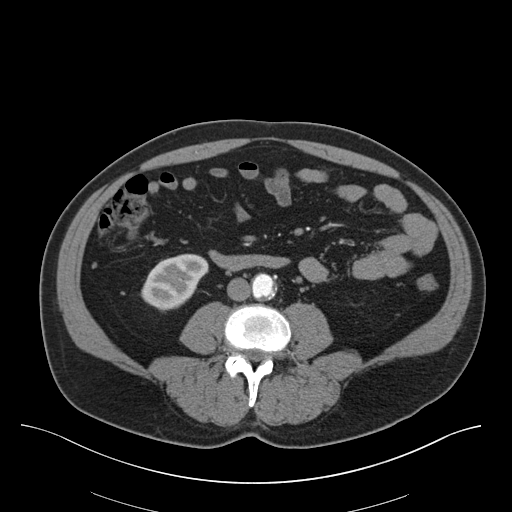
Contrast-enhanced abdominal CT, axial slice 13 of 75 (counted from the lowest slice); tube voltage 140 kVp, convolution kernel B30f; slices 3.00 mm thick, 0.875 mm per pixel.
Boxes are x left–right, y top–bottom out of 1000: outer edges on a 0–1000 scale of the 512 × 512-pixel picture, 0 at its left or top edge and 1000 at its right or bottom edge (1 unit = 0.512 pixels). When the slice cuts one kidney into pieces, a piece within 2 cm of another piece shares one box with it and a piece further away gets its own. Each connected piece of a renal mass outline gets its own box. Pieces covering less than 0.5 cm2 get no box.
Right kidney at x 275–408, y 494–609 out of 1000 (outlined area 2,664 px, about 20.4 cm2). No renal mass outline on this slice.